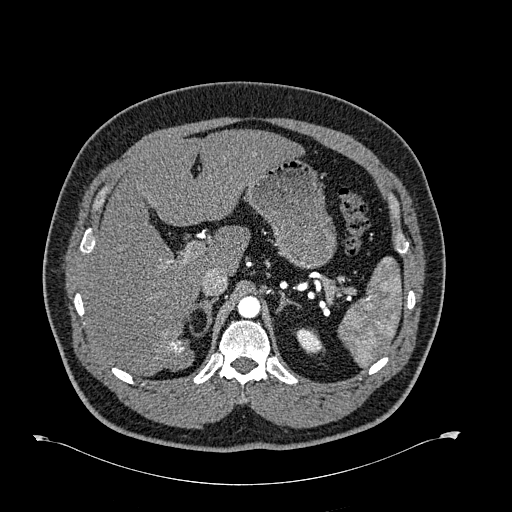
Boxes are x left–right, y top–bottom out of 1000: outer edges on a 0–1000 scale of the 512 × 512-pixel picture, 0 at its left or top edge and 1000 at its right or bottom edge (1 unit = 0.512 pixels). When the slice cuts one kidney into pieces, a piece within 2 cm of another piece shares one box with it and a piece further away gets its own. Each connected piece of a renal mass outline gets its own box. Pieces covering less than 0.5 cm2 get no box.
This is axial slice 493 of 723 (slice 1 is the lowest) of an arterial-phase abdominal CT with contrast; each pixel is 0.895 mm and the slice is 1.00 mm thick. Box x 576–633, y 641–693 out of 1000: left kidney (outlined area 497 px, about 4.0 cm2). This slice carries no renal mass outline.
Acquired at 120 kVp and reconstructed with the B30f kernel.